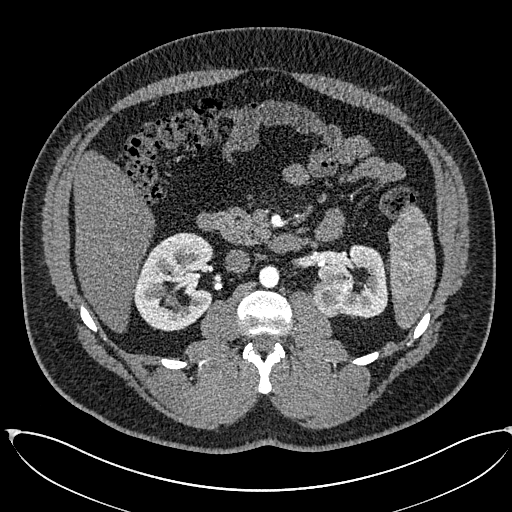
Arterial-phase contrast-enhanced abdominal CT, axial slice 358 of 673 (counted from the lowest slice); tube voltage 120 kVp, convolution kernel I30f; slices 1.00 mm thick, 0.855 mm per pixel.
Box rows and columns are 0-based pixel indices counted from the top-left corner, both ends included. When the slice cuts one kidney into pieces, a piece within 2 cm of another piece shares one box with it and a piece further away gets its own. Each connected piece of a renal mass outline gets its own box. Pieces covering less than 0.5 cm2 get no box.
Two kidney boxes and one renal mass box on this slice; by box centre, from the image's left to its right: (1) Right kidney at rows 232–331, columns 133–214 (outlined area 5,861 px, about 42.9 cm2). (2) Box rows 279–317, columns 312–353: left renal mass (outlined area 1,295 px, about 9.5 cm2). (3) Box rows 244–317, columns 318–387: left kidney (outlined area 2,952 px, about 21.6 cm2).